One axial slice (13 of 52, counting up from the lowest) of an arterial-phase abdominal CT acquired with 120 kVp, kernel B30f; each pixel is 0.678 mm and the slice is 3.00 mm thick.
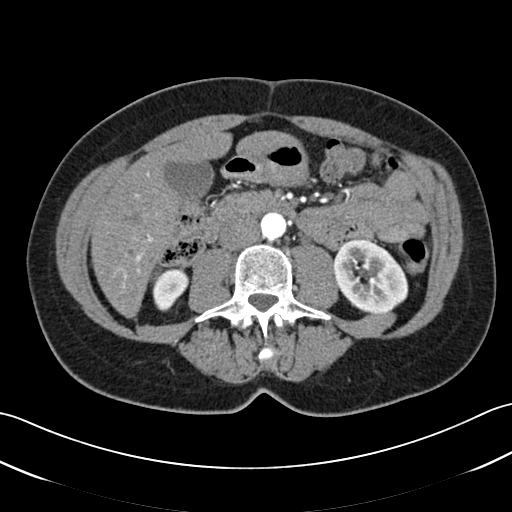
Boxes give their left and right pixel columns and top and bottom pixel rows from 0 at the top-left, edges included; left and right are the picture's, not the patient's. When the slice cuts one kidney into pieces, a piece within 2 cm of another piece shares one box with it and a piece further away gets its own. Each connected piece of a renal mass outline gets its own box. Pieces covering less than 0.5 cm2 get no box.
Two boxes on this slice (two kidney boxes), listed by box centre from the image's left to its right. (1) Right kidney, the box with left 152, top 267, right 189, bottom 311 (outlined area 1,150 px, about 5.3 cm2). (2) Box with left 333, top 238, right 408, bottom 314: left kidney (outlined area 4,234 px, about 19.4 cm2). No renal mass outline on this slice.